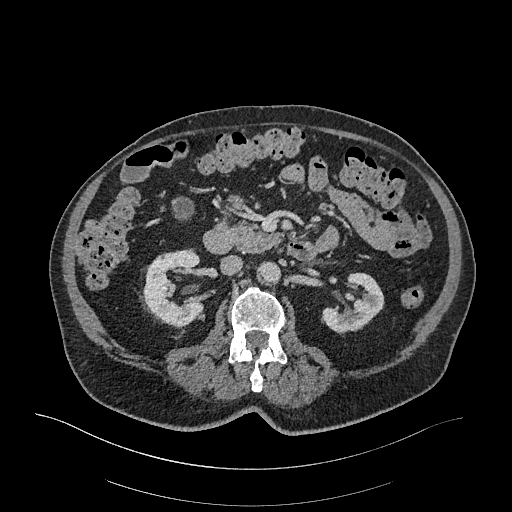
One axial slice (161 of 470, counting up from the lowest) of an arterial-phase abdominal CT acquired with 120 kVp, kernel I26f; each pixel is 0.938 mm and the slice is 1.00 mm thick.
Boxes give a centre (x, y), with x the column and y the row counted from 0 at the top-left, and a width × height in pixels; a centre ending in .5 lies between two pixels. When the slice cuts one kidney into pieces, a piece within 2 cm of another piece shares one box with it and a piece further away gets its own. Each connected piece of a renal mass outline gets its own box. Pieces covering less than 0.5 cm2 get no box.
Boxed on this slice (two kidney boxes), listed by box centre from the image's left to its right: (1) Right kidney, box centre (172.5, 288), 62 × 79 pixels (outlined area 3,346 px, about 29.4 cm2). (2) Left kidney in a box with centre (352.5, 303), 64 × 63 pixels (outlined area 2,376 px, about 20.9 cm2). No renal mass is outlined on this slice.